Abdominal CT with intravenous contrast, axial plane, 120 kVp, kernel I30f. Slice 59/109 from the bottom of the scan; thickness 3.00 mm; pixel size 0.742 mm.
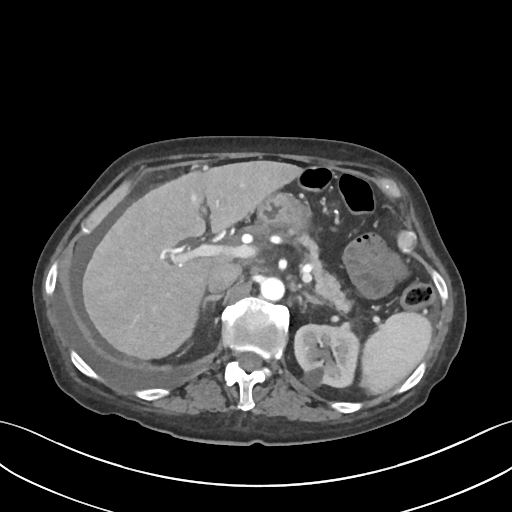
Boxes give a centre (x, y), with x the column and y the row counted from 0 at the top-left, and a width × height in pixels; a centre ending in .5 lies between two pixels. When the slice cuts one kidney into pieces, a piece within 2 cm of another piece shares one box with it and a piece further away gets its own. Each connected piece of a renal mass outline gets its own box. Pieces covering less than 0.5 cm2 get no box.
Left kidney in a box with centre (326, 355), 67 × 67 pixels (outlined area 3,695 px, about 20.4 cm2). No renal mass outline on this slice.